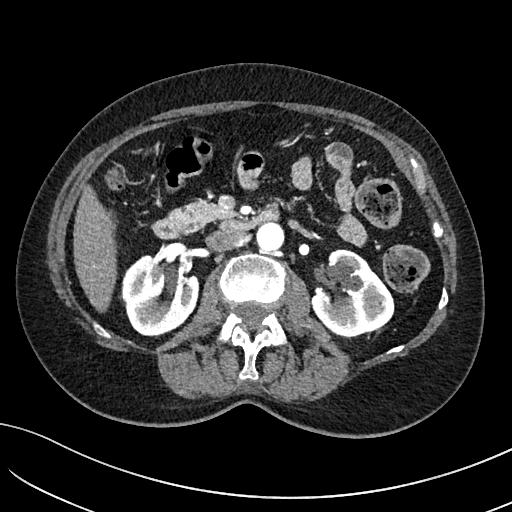
Abdominal CT with intravenous contrast, arterial phase, axial plane, 100 kVp, kernel I40f. Slice 64/234 from the bottom of the scan; thickness 2.00 mm; pixel size 0.699 mm.
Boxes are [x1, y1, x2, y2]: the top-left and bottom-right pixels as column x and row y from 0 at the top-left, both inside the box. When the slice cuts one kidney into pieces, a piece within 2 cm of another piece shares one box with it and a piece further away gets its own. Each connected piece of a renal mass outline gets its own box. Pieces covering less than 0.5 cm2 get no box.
Two boxes on this slice (two kidney boxes), listed by box centre from the image's left to its right. (1) Right kidney at [121, 255, 199, 337] (outlined area 4,736 px, about 23.2 cm2). (2) Box [311, 249, 394, 336]: left kidney (outlined area 5,153 px, about 25.2 cm2). This slice carries no renal mass outline.